One axial slice (378 of 673, counting up from the lowest) of an arterial-phase abdominal CT acquired with 140 kVp, kernel I30f; each pixel is 0.957 mm and the slice is 1.00 mm thick.
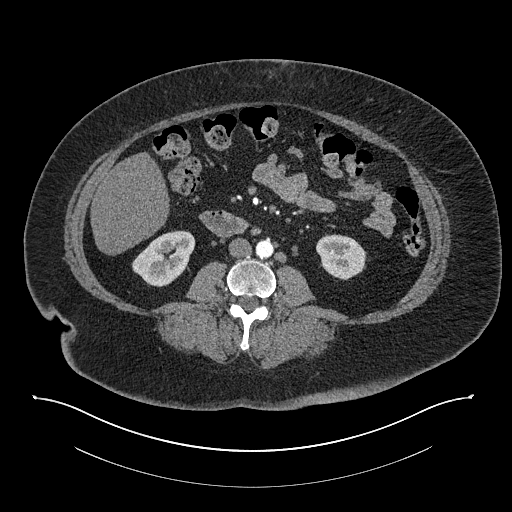
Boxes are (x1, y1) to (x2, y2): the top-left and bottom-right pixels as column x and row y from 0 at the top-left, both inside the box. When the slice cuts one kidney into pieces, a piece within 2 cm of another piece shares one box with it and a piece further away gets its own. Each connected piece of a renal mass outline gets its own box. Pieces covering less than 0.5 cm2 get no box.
Boxed on this slice (two kidney boxes), listed by box centre from the image's left to its right: (1) Right kidney from (131, 230) to (195, 286) (outlined area 2,423 px, about 22.2 cm2). (2) Box (316, 234) to (366, 279): left kidney (outlined area 1,751 px, about 16.0 cm2). No renal mass is outlined on this slice.